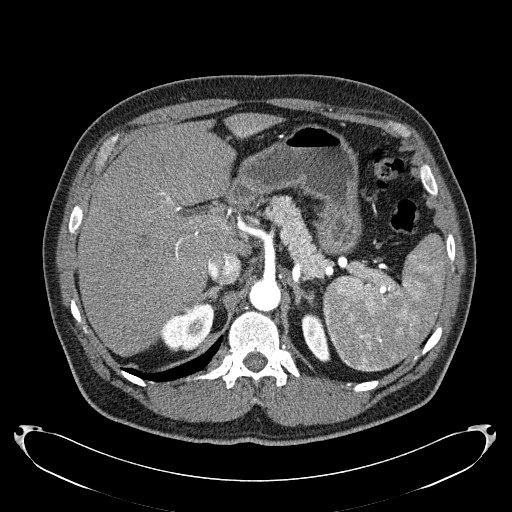
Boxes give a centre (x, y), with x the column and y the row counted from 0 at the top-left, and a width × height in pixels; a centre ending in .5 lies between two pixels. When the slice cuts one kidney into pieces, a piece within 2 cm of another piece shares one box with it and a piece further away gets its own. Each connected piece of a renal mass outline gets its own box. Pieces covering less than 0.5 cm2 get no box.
This is axial slice 169 of 279 (slice 1 is the lowest) of an arterial-phase abdominal CT with contrast; each pixel is 0.824 mm and the slice is 2.00 mm thick. Two boxes on this slice (two kidney boxes), listed by box centre from the image's left to its right. (1) Box centre (186, 325), 59 × 51 pixels: right kidney (outlined area 1,898 px, about 12.9 cm2). (2) Left kidney in a box with centre (315.5, 337.5), 30 × 50 pixels (outlined area 959 px, about 6.5 cm2). This slice carries no renal mass outline.
Tube voltage 120 kVp; convolution kernel B31f.